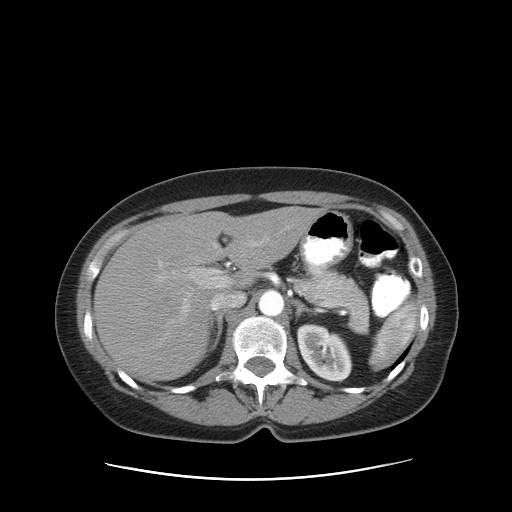
One axial slice (61 of 83, counting up from the lowest) of an arterial-phase abdominal CT acquired with 120 kVp, kernel STANDARD; each pixel is 0.775 mm and the slice is 5.00 mm thick.
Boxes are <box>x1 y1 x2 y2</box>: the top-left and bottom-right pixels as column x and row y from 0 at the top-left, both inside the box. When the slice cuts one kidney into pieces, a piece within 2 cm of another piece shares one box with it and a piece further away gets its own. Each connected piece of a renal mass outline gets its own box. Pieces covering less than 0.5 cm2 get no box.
At <box>296 323 352 382</box>: left kidney (outlined area 2,376 px, about 14.3 cm2). No renal mass outline on this slice.